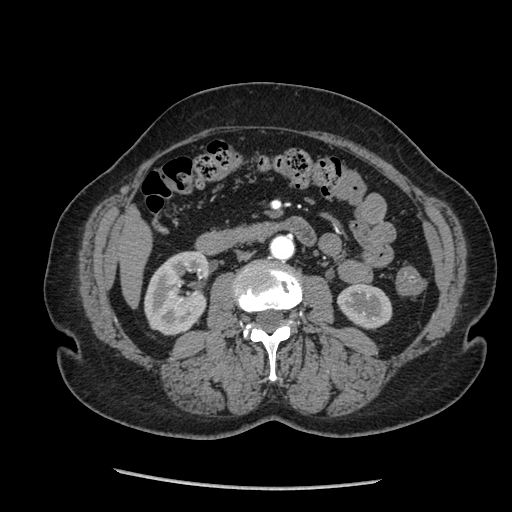
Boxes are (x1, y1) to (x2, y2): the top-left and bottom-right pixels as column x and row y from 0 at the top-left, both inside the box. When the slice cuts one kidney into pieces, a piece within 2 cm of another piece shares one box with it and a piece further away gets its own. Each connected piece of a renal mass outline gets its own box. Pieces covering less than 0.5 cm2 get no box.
This is axial slice 107 of 233 (slice 1 is the lowest) of an arterial-phase abdominal CT with contrast; each pixel is 0.703 mm and the slice is 1.25 mm thick. Two kidney boxes on this slice; by box centre, from the image's left to its right: (1) Box (144, 251) to (210, 335): right kidney (outlined area 4,177 px, about 20.7 cm2). (2) Left kidney, box (337, 284) to (392, 329) (outlined area 1,933 px, about 9.6 cm2). This slice carries no renal mass outline.
Scan settings: 120 kVp, STANDARD reconstruction kernel.